Axial slice 81 of 91 of a contrast-enhanced abdominal CT (slice 1 is the lowest), 120 kVp, kernel B41f; 5.00 mm slice thickness and 0.762 mm pixels.
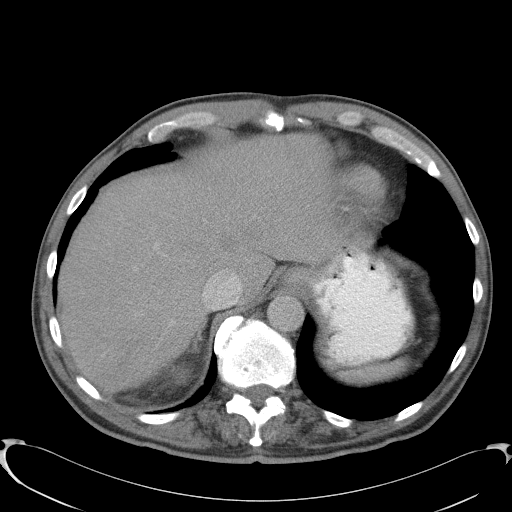
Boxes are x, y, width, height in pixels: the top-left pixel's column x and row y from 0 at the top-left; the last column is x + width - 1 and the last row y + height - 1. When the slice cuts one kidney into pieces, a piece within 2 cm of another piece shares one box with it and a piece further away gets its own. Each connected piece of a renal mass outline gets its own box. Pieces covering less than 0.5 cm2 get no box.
Right kidney, box x 172, y 368, width 19, height 17 (outlined area 269 px, about 1.6 cm2). No renal mass outline on this slice.